Arterial-phase contrast-enhanced abdominal CT, axial slice 296 of 683 (counted from the lowest slice); tube voltage 120 kVp, convolution kernel I30f; slices 1.00 mm thick, 0.738 mm per pixel.
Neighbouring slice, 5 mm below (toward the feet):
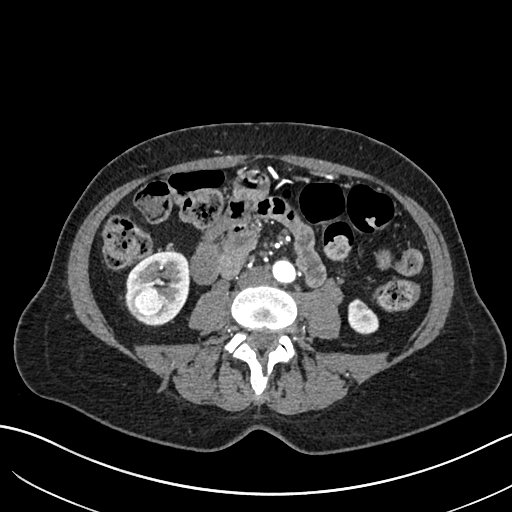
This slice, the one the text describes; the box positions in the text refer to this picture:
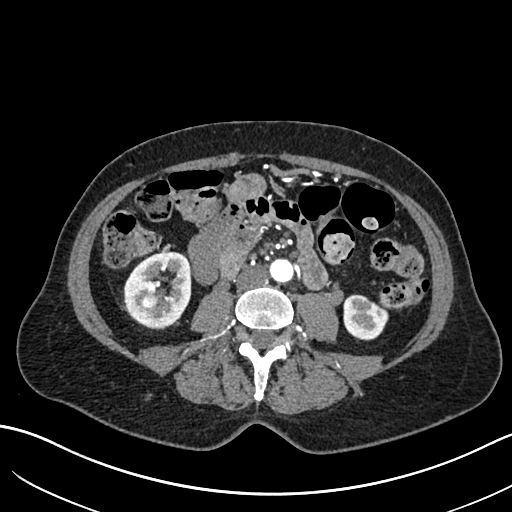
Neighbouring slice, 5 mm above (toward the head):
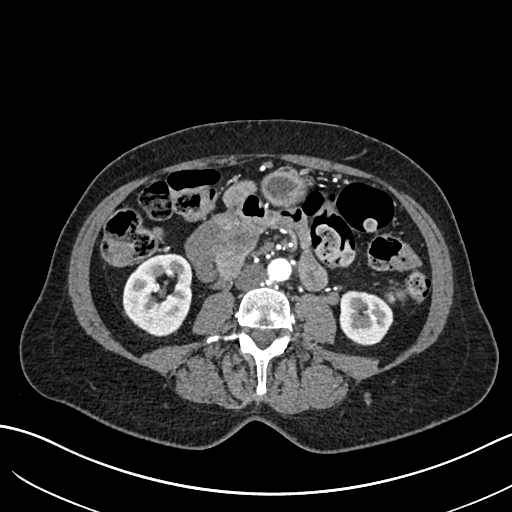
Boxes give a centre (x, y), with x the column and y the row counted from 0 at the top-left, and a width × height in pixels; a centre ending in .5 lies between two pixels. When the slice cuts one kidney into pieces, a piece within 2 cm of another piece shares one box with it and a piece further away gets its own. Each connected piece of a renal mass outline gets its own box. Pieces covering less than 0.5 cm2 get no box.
Boxed on this slice (two kidney boxes and one renal mass box), listed by box centre from the image's left to its right: (1) Right renal mass, box centre (150.5, 299), 22 × 19 pixels (outlined area 328 px, about 1.8 cm2). (2) Right kidney in a box with centre (157, 289.5), 69 × 78 pixels (outlined area 3,811 px, about 20.8 cm2). (3) Left kidney in a box with centre (365.5, 317), 46 × 47 pixels (outlined area 1,593 px, about 8.7 cm2). This slice is near the end of the right renal mass toward the head, so the slices 5 mm below and 5 mm above it are shown as well; the boxes refer to this slice only.